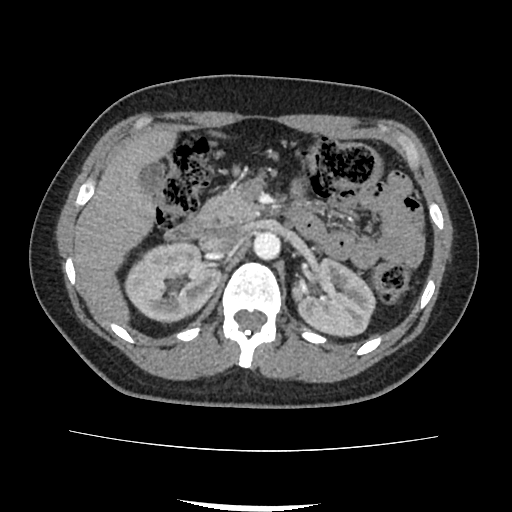
One axial slice (59 of 103, counting up from the lowest) of a contrast-enhanced abdominal CT acquired with 120 kVp, kernel FC18; each pixel is 0.714 mm and the slice is 3.00 mm thick.
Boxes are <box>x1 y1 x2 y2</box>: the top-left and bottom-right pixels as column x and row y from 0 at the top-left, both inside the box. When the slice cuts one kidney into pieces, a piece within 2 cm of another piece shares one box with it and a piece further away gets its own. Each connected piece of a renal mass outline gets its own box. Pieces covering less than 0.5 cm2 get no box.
Two boxes on this slice (two kidney boxes), listed by box centre from the image's left to its right. (1) Right kidney at <box>124 242 221 323</box> (outlined area 5,792 px, about 29.5 cm2). (2) At <box>292 258 376 337</box>: left kidney (outlined area 4,996 px, about 25.5 cm2). No renal mass outline on this slice.